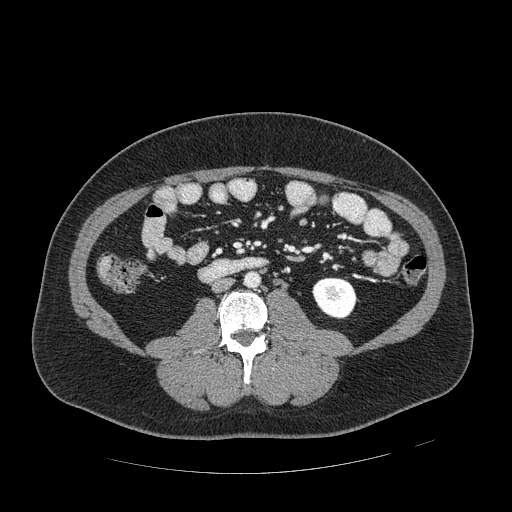
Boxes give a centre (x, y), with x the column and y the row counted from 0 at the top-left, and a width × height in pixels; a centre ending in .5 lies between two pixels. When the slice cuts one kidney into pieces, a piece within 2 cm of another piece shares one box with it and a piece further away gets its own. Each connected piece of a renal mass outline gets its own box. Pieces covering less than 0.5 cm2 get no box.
This is axial slice 219 of 389 (slice 1 is the lowest) of an arterial-phase abdominal CT with contrast; each pixel is 0.869 mm and the slice is 1.25 mm thick. Left kidney in a box with centre (334.5, 298), 46 × 43 pixels (outlined area 1,480 px, about 11.2 cm2). This slice carries no renal mass outline.
Acquired at 120 kVp and reconstructed with the STANDARD kernel.